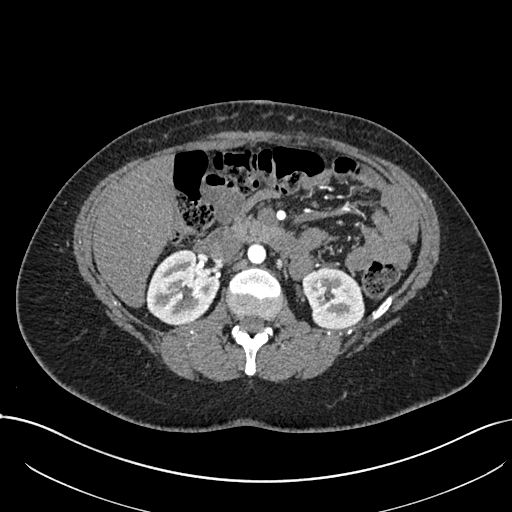
Arterial-phase contrast-enhanced abdominal CT, axial slice 430 of 738 (counted from the lowest slice); tube voltage 120 kVp, convolution kernel I30f; slices 1.00 mm thick, 0.789 mm per pixel.
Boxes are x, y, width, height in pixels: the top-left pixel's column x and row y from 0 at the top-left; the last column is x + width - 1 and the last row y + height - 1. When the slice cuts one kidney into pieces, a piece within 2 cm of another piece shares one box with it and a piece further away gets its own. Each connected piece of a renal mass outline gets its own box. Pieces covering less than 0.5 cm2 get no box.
Two boxes on this slice (two kidney boxes), listed by box centre from the image's left to its right. (1) Right kidney at x 145, y 249, width 76, height 76 (outlined area 4,106 px, about 25.6 cm2). (2) Box x 302, y 268, width 63, height 61: left kidney (outlined area 2,997 px, about 18.7 cm2). No renal mass outline on this slice.